Axial slice 69 of 105 of a contrast-enhanced abdominal CT in the arterial phase (slice 1 is the lowest), 120 kVp, kernel STANDARD; 5.00 mm slice thickness and 0.707 mm pixels.
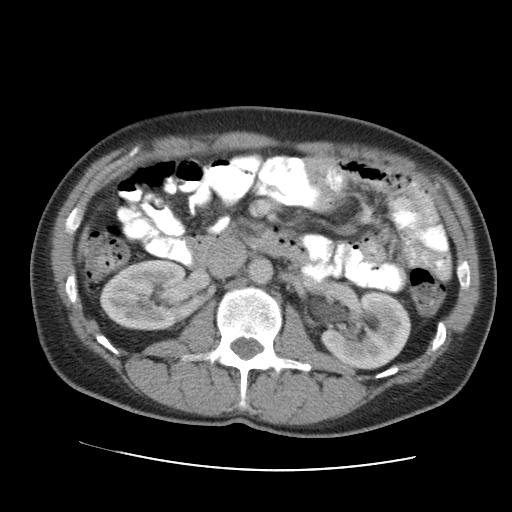
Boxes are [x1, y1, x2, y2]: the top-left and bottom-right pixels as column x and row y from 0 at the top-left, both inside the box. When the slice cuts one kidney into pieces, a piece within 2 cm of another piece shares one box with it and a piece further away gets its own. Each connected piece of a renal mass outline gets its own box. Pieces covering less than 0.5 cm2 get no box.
Two kidney boxes on this slice; by box centre, from the image's left to its right: (1) Right kidney, box [99, 259, 187, 330] (outlined area 4,989 px, about 24.9 cm2). (2) Left kidney at [320, 290, 411, 369] (outlined area 5,070 px, about 25.3 cm2). No renal mass outline on this slice.